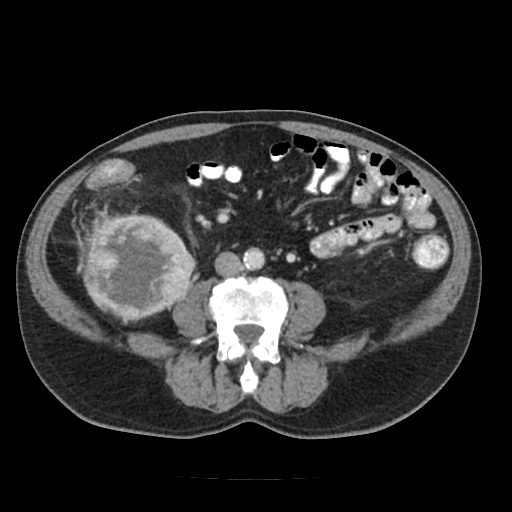
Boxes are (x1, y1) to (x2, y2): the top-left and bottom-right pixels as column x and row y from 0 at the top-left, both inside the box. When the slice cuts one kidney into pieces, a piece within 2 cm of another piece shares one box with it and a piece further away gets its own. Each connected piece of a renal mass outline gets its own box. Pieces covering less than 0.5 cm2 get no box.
This is axial slice 48 of 91 (slice 1 is the lowest) of an abdominal CT with contrast; each pixel is 0.766 mm and the slice is 5.00 mm thick. Right renal mass from (83, 214) to (196, 324) (outlined area 9,275 px, about 54.4 cm2); no kidney outline appears on this slice, but the same outlined renal mass comes within 1 cm of the kidney on another slice.
Tube voltage 120 kVp; convolution kernel FC18.